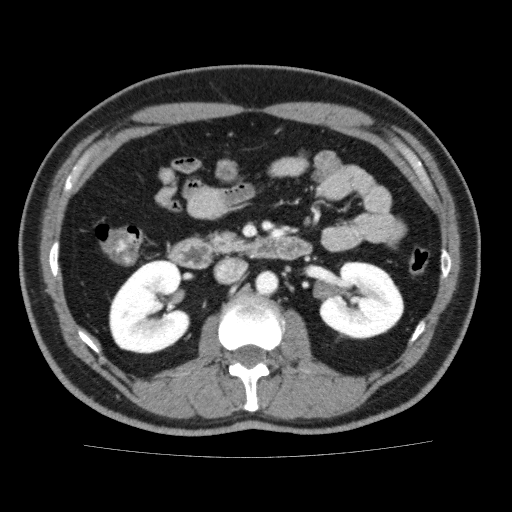
Abdominal CT with intravenous contrast, axial plane, 120 kVp, kernel FC13. Slice 101/159 from the bottom of the scan; thickness 3.00 mm; pixel size 0.668 mm.
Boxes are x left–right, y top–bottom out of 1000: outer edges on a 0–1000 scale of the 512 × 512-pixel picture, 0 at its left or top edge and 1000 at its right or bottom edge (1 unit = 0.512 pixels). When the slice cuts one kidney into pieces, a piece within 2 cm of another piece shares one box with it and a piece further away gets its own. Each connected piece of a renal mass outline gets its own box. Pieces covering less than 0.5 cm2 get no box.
Two kidney boxes on this slice; by box centre, from the image's left to its right: (1) Box x 213–373, y 506–691 out of 1000: right kidney (outlined area 5,826 px, about 26.0 cm2). (2) Left kidney, box x 623–791, y 510–664 out of 1000 (outlined area 4,969 px, about 22.2 cm2). This slice carries no renal mass outline.